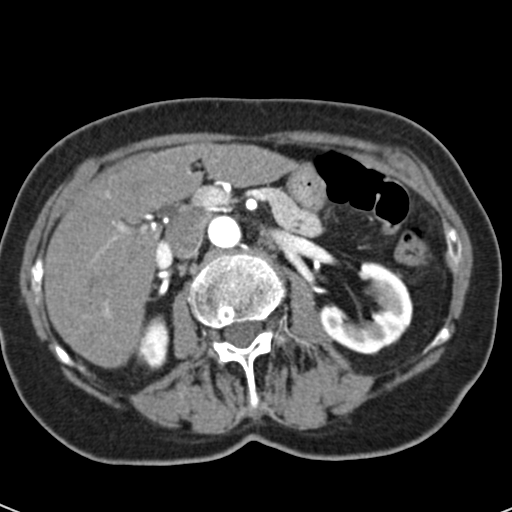
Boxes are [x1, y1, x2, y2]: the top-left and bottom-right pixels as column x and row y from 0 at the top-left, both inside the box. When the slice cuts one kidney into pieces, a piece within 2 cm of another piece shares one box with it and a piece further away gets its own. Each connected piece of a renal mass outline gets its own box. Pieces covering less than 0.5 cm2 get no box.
Slice 34/53 of a contrast-enhanced abdominal CT in the arterial phase, counting up from the lowest; pixel size 0.547 mm, slice thickness 3.00 mm. Two kidney boxes on this slice; by box centre, from the image's left to its right: (1) Right kidney at [134, 315, 169, 369] (outlined area 1,331 px, about 4.0 cm2). (2) Left kidney, box [319, 262, 412, 354] (outlined area 4,883 px, about 14.6 cm2). No renal mass outline on this slice.
Scan settings: 120 kVp, B30f reconstruction kernel.